Abdominal CT with intravenous contrast, axial plane, 120 kVp, kernel STANDARD. Slice 34/103 from the bottom of the scan; thickness 2.50 mm; pixel size 0.820 mm.
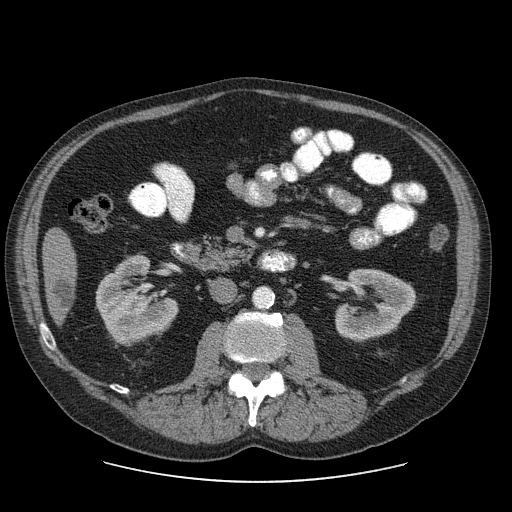
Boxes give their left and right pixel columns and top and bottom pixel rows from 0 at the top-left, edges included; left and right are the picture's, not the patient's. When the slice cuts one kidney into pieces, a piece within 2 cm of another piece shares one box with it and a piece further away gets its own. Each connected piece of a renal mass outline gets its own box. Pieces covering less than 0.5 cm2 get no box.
Boxed on this slice (two kidney boxes), listed by box centre from the image's left to its right: (1) Right kidney, the box with left 95, top 254, right 178, bottom 345 (outlined area 4,874 px, about 32.8 cm2). (2) Left kidney in the box with left 335, top 268, right 416, bottom 342 (outlined area 4,054 px, about 27.3 cm2). This slice carries no renal mass outline.